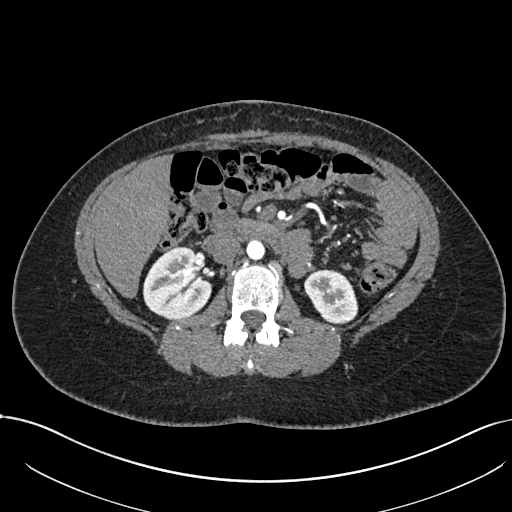
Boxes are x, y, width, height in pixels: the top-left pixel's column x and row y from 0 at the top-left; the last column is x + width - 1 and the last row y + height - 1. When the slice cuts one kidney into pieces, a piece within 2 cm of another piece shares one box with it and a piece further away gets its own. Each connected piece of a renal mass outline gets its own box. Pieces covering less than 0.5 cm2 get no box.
Arterial-phase contrast-enhanced abdominal CT, axial slice 412 of 738 (counted from the lowest slice); 1.00 mm thick, 0.789 mm per pixel. Two kidney boxes on this slice; by box centre, from the image's left to its right: (1) Box x 143, y 246, width 69, height 74: right kidney (outlined area 3,777 px, about 23.5 cm2). (2) Box x 304, y 269, width 55, height 56: left kidney (outlined area 2,213 px, about 13.8 cm2). This slice carries no renal mass outline.
Scan settings: 120 kVp, I30f reconstruction kernel.